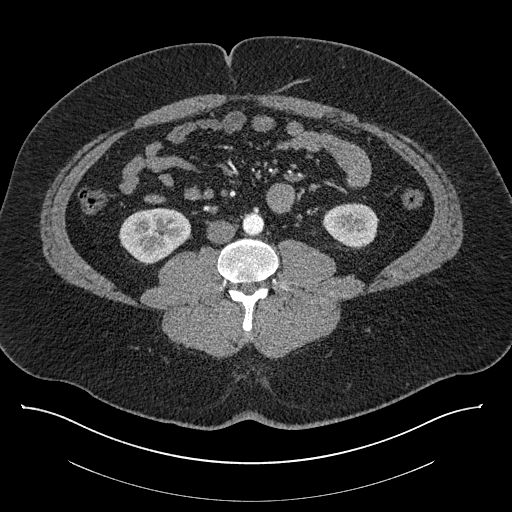
Contrast-enhanced abdominal CT, axial slice 376 of 787 (counted from the lowest slice); tube voltage 140 kVp, convolution kernel I30f; slices 1.00 mm thick, 0.910 mm per pixel.
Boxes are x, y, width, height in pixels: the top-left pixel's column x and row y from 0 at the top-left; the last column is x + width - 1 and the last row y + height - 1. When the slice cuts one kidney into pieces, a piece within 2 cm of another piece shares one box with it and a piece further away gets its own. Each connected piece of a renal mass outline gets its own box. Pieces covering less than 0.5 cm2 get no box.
Two kidney boxes on this slice; by box centre, from the image's left to its right: (1) Right kidney, box x 118, y 207, width 73, height 59 (outlined area 3,008 px, about 24.9 cm2). (2) Left kidney at x 322, y 203, width 57, height 45 (outlined area 1,955 px, about 16.2 cm2). No renal mass is outlined on this slice.